Arterial-phase contrast-enhanced abdominal CT, axial slice 489 of 723 (counted from the lowest slice); tube voltage 120 kVp, convolution kernel B30f; slices 1.00 mm thick, 0.895 mm per pixel.
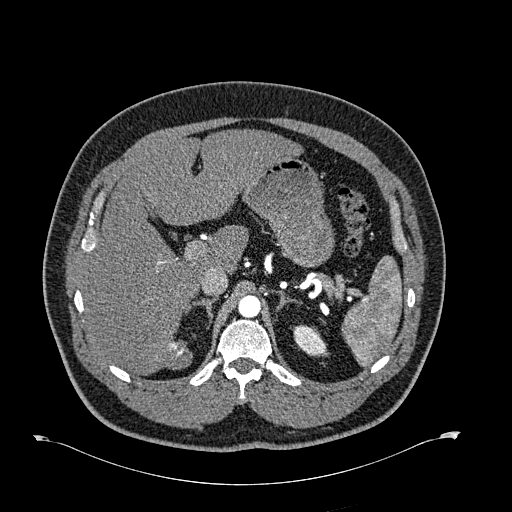
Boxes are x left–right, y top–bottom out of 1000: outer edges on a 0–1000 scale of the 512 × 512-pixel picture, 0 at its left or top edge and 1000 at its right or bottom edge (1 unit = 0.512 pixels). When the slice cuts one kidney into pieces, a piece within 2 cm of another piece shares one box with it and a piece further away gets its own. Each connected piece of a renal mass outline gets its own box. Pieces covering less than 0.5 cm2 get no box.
Left kidney at x 572–641, y 633–697 out of 1000 (outlined area 803 px, about 6.4 cm2). This slice carries no renal mass outline.